Abdominal CT with intravenous contrast, axial plane, 120 kVp, kernel B41f. Slice 76/104 from the bottom of the scan; thickness 5.00 mm; pixel size 0.977 mm.
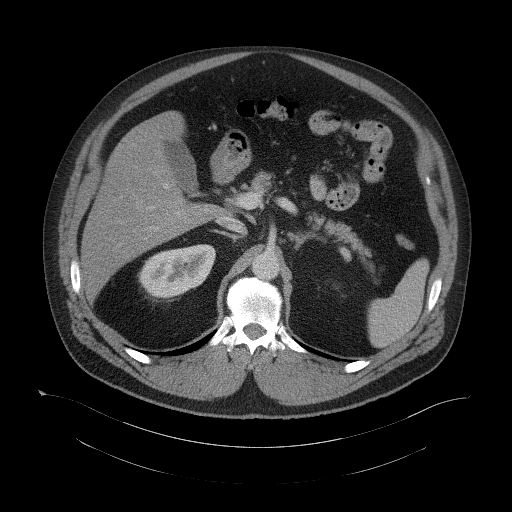
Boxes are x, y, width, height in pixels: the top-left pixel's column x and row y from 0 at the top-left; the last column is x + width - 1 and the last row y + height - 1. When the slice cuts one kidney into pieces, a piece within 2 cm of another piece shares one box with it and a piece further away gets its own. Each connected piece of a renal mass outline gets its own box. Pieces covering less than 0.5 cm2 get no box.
Box x 140, y 244, width 76, height 55: right kidney (outlined area 3,030 px, about 28.9 cm2). No renal mass outline on this slice.